Arterial-phase contrast-enhanced abdominal CT, axial slice 168 of 304 (counted from the lowest slice); tube voltage 100 kVp, convolution kernel I30f; slices 2.00 mm thick, 0.809 mm per pixel.
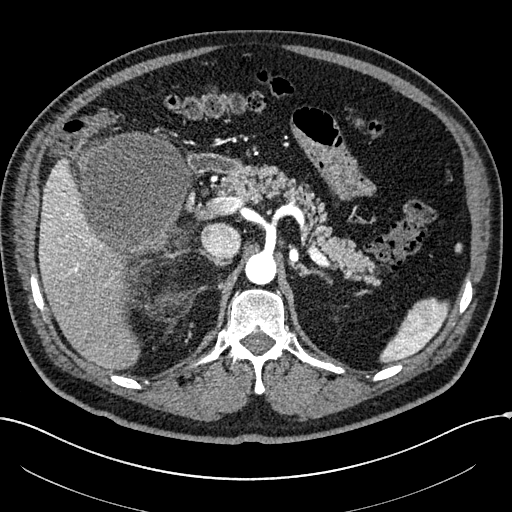
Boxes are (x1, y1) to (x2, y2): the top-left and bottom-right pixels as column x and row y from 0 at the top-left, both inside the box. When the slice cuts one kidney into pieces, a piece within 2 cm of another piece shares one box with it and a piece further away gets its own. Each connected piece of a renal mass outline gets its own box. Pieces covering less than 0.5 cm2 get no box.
One kidney box and one renal mass box on this slice; by box centre, from the image's left to its right: (1) Right renal mass, box (78, 131) to (192, 260) (outlined area 11,154 px, about 72.9 cm2); on this slice it lies more than 1 cm from any kidney outline, but the same outlined renal mass comes within 1 cm of the kidney on another slice. (2) Box (162, 292) to (178, 306): right kidney (outlined area 184 px, about 1.2 cm2).